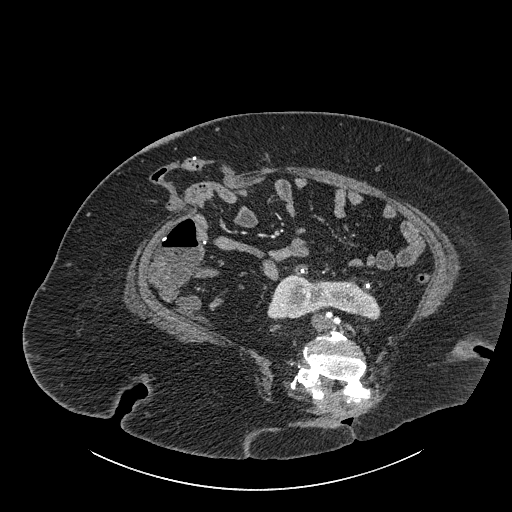
Axial slice 426 of 834 of a contrast-enhanced abdominal CT (slice 1 is the lowest), 140 kVp, kernel I30f; 1.00 mm slice thickness and 0.977 mm pixels.
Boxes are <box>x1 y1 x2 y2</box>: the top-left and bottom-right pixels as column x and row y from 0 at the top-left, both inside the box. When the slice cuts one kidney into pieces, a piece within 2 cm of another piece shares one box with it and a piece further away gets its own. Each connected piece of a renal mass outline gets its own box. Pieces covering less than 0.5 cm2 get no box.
Kidney crossing the body midline at <box>267 274 380 319</box> (outlined area 3,587 px, about 34.2 cm2). No renal mass outline on this slice.